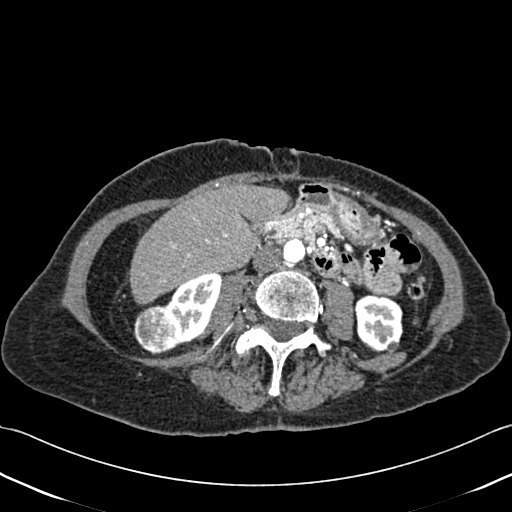
One axial slice (187 of 433, counting up from the lowest) of a contrast-enhanced abdominal CT acquired with 120 kVp, kernel B30f; each pixel is 0.672 mm and the slice is 1.00 mm thick.
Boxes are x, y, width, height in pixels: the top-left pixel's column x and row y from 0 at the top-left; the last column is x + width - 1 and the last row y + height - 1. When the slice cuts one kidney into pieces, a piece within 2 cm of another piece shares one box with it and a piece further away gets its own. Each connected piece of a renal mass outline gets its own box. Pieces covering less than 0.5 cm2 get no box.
Two kidney boxes and one renal mass box on this slice; by box centre, from the image's left to its right: (1) Right renal mass, box x 134, y 305, width 45, height 50 (outlined area 1,729 px, about 7.8 cm2). (2) Box x 164, y 273, width 58, height 74: right kidney (outlined area 2,499 px, about 11.3 cm2). (3) Box x 354, y 294, width 49, height 58: left kidney (outlined area 2,308 px, about 10.4 cm2).